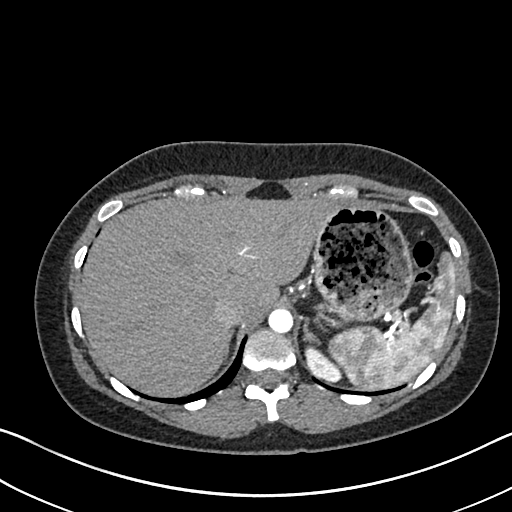
One axial slice (554 of 612, counting up from the lowest) of an arterial-phase abdominal CT acquired with 120 kVp, kernel I30f; each pixel is 0.703 mm and the slice is 1.00 mm thick.
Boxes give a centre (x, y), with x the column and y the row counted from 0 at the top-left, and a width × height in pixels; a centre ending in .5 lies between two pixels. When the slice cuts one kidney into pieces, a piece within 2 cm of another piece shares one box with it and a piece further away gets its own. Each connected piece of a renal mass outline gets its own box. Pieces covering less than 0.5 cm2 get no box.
Left kidney in a box with centre (323, 363), 39 × 37 pixels (outlined area 820 px, about 4.1 cm2). No renal mass outline on this slice.